Abdominal CT with intravenous contrast, arterial phase, axial plane, 120 kVp, kernel I30f. Slice 513/612 from the bottom of the scan; thickness 1.00 mm; pixel size 0.703 mm.
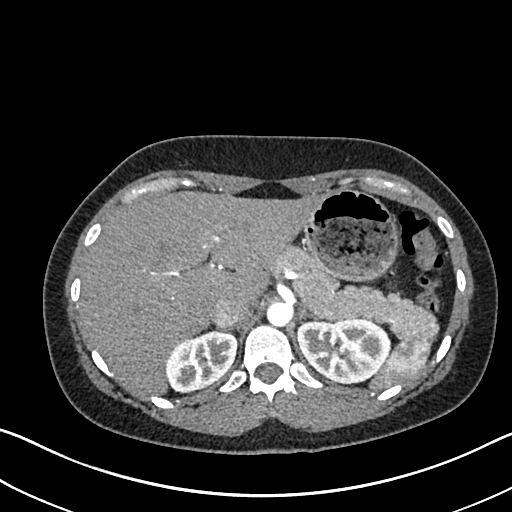
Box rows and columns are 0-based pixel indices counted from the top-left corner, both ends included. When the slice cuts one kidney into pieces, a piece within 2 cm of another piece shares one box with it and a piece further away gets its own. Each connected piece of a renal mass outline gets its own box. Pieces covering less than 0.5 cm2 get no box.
Boxed on this slice (two kidney boxes), listed by box centre from the image's left to its right: (1) Right kidney, box rows 330–392, columns 165–236 (outlined area 3,274 px, about 16.2 cm2). (2) Box rows 318–384, columns 297–390: left kidney (outlined area 4,831 px, about 23.9 cm2). This slice carries no renal mass outline.